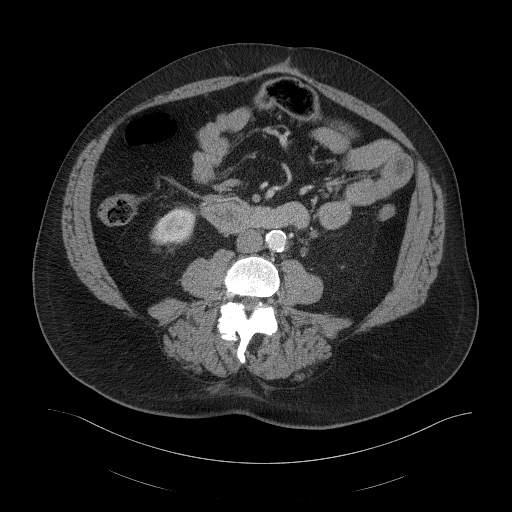
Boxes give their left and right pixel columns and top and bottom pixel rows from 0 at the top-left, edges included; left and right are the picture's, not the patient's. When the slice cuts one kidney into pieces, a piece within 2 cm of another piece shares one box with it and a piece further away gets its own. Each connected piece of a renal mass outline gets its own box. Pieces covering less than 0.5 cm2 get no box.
Arterial-phase contrast-enhanced abdominal CT, axial slice 58 of 103 (counted from the lowest slice); 5.00 mm thick, 0.951 mm per pixel. Right kidney in the box with left 150, top 206, right 195, bottom 245 (outlined area 1,309 px, about 11.8 cm2). This slice carries no renal mass outline.
Acquired at 120 kVp and reconstructed with the B41f kernel.